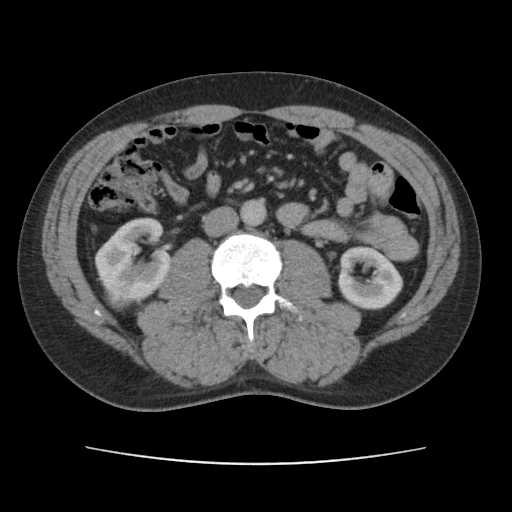
Arterial-phase contrast-enhanced abdominal CT, axial slice 60 of 101 (counted from the lowest slice); tube voltage 120 kVp, convolution kernel FC14; slices 5.00 mm thick, 0.755 mm per pixel.
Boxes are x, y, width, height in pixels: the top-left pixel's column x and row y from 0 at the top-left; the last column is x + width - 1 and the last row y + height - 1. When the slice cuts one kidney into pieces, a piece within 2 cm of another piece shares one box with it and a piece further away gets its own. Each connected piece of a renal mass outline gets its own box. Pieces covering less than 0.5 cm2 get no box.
Boxed on this slice (two kidney boxes and one renal mass box), listed by box centre from the image's left to its right: (1) Right renal mass, box x 104, y 275, width 36, height 36 (outlined area 973 px, about 5.5 cm2). (2) Right kidney at x 94, y 217, width 78, height 88 (outlined area 3,975 px, about 22.7 cm2). (3) Box x 337, y 245, width 67, height 65: left kidney (outlined area 3,113 px, about 17.7 cm2).